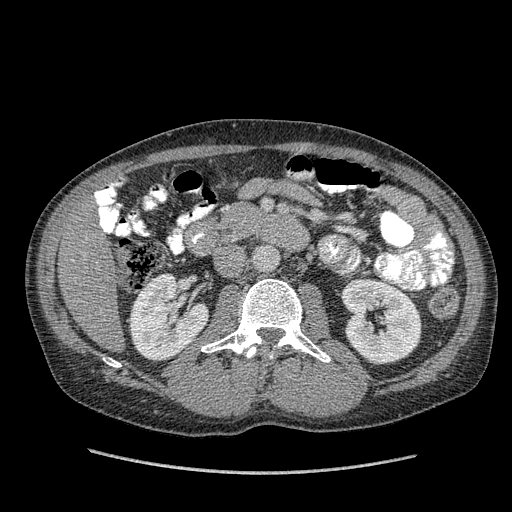
Arterial-phase contrast-enhanced abdominal CT, axial slice 202 of 349 (counted from the lowest slice); tube voltage 120 kVp, convolution kernel STANDARD; slices 1.25 mm thick, 0.742 mm per pixel.
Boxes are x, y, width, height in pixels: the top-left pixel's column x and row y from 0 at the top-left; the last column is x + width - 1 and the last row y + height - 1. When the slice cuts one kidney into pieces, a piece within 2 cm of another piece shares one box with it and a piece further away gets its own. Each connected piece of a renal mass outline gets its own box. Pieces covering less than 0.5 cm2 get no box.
Two kidney boxes on this slice; by box centre, from the image's left to its right: (1) Right kidney at x 128, y 273, width 82, height 89 (outlined area 5,064 px, about 27.9 cm2). (2) Box x 340, y 278, width 82, height 87: left kidney (outlined area 5,325 px, about 29.3 cm2). No renal mass outline on this slice.